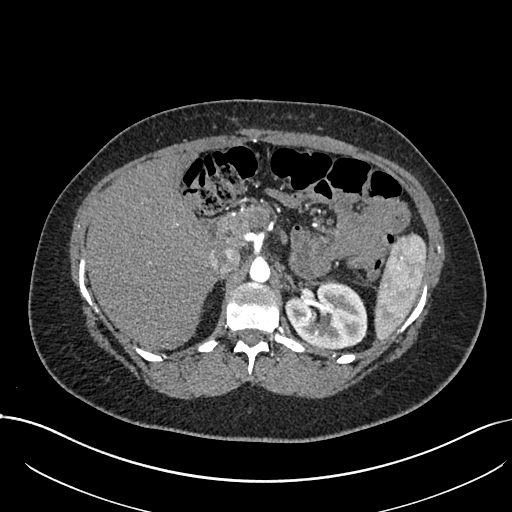
Abdominal CT with intravenous contrast, arterial phase, axial plane, 120 kVp, kernel I30f. Slice 500/738 from the bottom of the scan; thickness 1.00 mm; pixel size 0.789 mm.
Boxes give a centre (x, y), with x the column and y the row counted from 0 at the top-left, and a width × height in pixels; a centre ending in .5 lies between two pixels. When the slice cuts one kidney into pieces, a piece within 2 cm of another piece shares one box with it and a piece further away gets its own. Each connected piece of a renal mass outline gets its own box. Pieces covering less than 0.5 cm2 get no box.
Box centre (326, 314.5), 83 × 68 pixels: left kidney (outlined area 4,304 px, about 26.8 cm2). No renal mass outline on this slice.